Abdominal CT with intravenous contrast, arterial phase, axial plane, 100 kVp, kernel I26f. Slice 468/665 from the bottom of the scan; thickness 1.00 mm; pixel size 0.828 mm.
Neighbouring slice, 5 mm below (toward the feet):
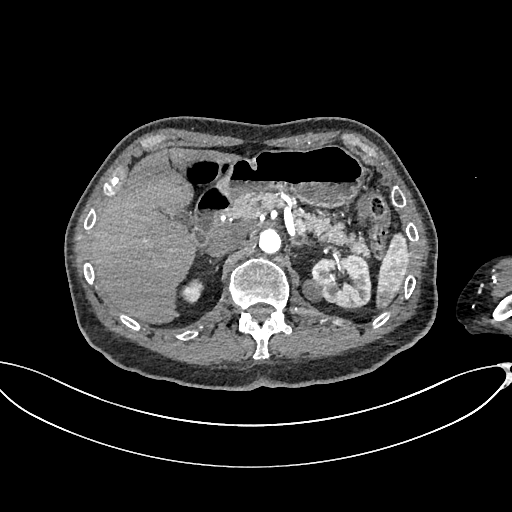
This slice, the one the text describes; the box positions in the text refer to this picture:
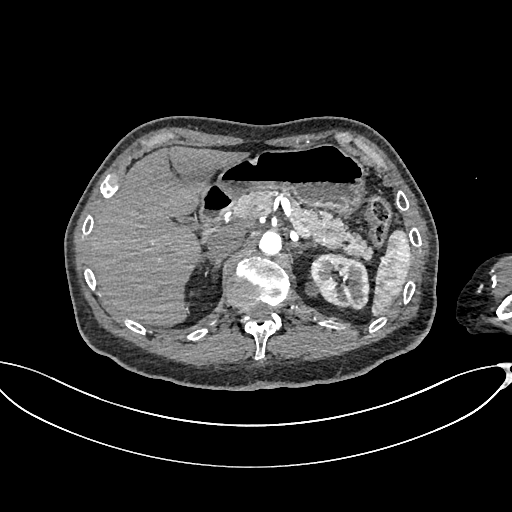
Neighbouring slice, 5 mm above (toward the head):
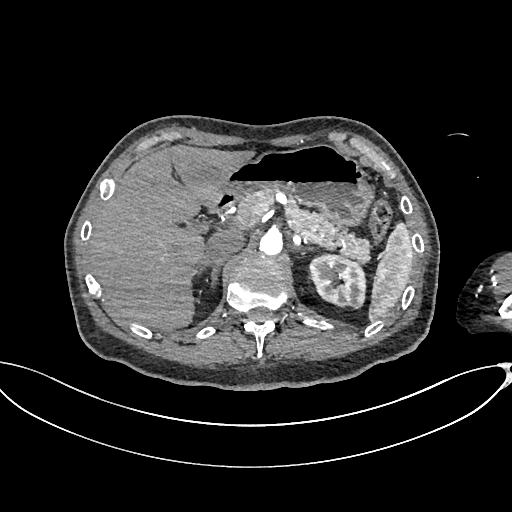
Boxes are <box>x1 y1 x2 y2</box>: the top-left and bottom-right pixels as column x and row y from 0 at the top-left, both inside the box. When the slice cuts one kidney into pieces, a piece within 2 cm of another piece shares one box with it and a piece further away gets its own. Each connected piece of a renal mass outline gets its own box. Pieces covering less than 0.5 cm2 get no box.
One kidney box and one renal mass box on this slice; by box centre, from the image's left to its right: (1) At <box>305 281 320 296</box>: left renal mass (outlined area 181 px, about 1.2 cm2). (2) Left kidney at <box>310 253 368 308</box> (outlined area 2,494 px, about 17.1 cm2). This slice is near the end of the left renal mass toward the head, so the slices 5 mm below and 5 mm above it are shown as well; the boxes refer to this slice only.